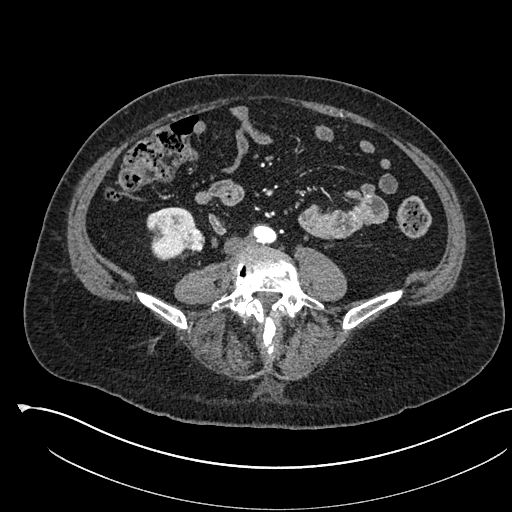
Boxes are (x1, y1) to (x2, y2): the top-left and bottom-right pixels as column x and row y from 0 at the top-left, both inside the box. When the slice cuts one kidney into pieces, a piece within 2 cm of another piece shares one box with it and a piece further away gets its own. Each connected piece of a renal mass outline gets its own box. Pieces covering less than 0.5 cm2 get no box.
Arterial-phase contrast-enhanced abdominal CT, axial slice 197 of 541 (counted from the lowest slice); 1.00 mm thick, 0.834 mm per pixel. One kidney box and one renal mass box on this slice; by box centre, from the image's left to its right: (1) Right kidney, box (146, 207) to (196, 260) (outlined area 1,876 px, about 13.0 cm2). (2) Right renal mass from (183, 228) to (204, 251) (outlined area 421 px, about 2.9 cm2).
Tube voltage 120 kVp; convolution kernel I30f.